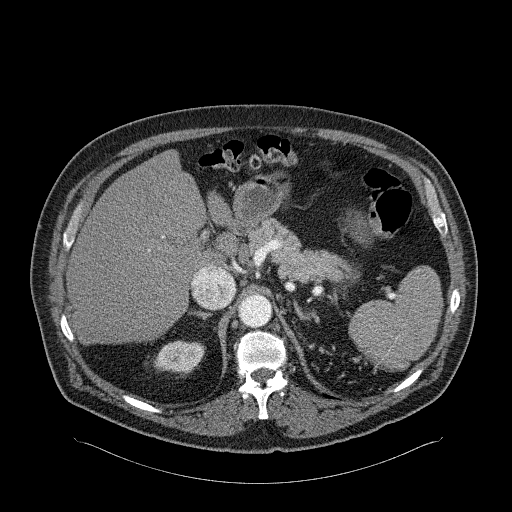
One axial slice (197 of 326, counting up from the lowest) of an arterial-phase abdominal CT acquired with 120 kVp, kernel B31f; each pixel is 0.963 mm and the slice is 2.00 mm thick.
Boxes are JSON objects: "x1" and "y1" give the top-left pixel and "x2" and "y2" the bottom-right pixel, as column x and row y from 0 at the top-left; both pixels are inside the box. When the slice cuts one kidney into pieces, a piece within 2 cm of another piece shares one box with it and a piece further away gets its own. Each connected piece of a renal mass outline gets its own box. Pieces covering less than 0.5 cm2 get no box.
Right kidney at {"x1": 153, "y1": 340, "x2": 204, "y2": 373} (outlined area 1,334 px, about 12.4 cm2). This slice carries no renal mass outline.